Arterial-phase contrast-enhanced abdominal CT, axial slice 188 of 261 (counted from the lowest slice); tube voltage 120 kVp, convolution kernel I30f; slices 2.00 mm thick, 0.939 mm per pixel.
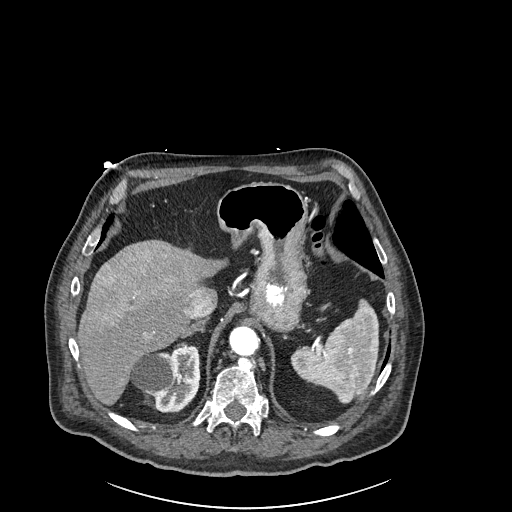
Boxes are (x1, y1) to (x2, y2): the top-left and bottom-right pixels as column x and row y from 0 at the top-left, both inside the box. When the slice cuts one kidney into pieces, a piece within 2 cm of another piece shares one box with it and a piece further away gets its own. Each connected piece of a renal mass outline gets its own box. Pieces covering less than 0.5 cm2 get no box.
Right kidney, box (130, 344) to (200, 412) (outlined area 3,427 px, about 30.2 cm2). No renal mass outline on this slice.